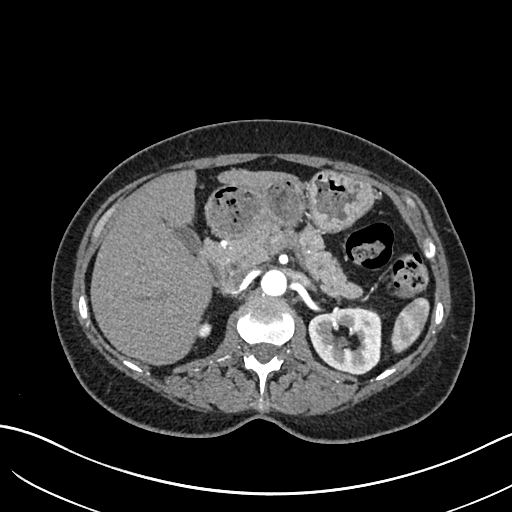
One axial slice (423 of 683, counting up from the lowest) of an arterial-phase abdominal CT acquired with 120 kVp, kernel I30f; each pixel is 0.738 mm and the slice is 1.00 mm thick.
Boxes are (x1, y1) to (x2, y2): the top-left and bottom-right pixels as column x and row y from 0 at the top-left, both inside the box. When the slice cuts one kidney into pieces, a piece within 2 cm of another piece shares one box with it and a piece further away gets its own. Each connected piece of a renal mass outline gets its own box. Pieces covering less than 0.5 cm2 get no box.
Boxed on this slice (two kidney boxes), listed by box centre from the image's left to its right: (1) Right kidney from (199, 322) to (209, 336) (outlined area 121 px, about 0.7 cm2). (2) Left kidney, box (308, 307) to (381, 374) (outlined area 3,779 px, about 20.6 cm2). No renal mass is outlined on this slice.